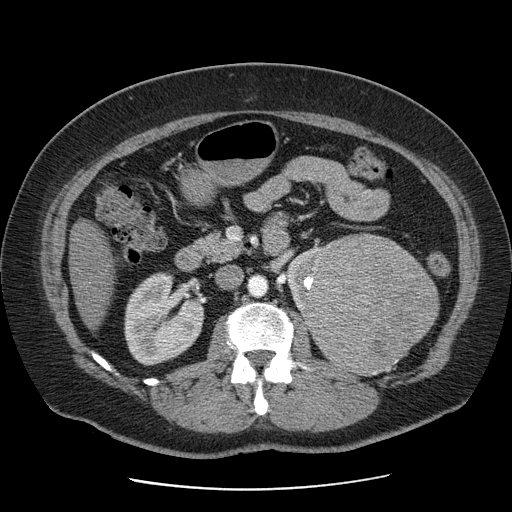
One axial slice (45 of 103, counting up from the lowest) of a contrast-enhanced abdominal CT acquired with 120 kVp, kernel STANDARD; each pixel is 0.736 mm and the slice is 2.50 mm thick.
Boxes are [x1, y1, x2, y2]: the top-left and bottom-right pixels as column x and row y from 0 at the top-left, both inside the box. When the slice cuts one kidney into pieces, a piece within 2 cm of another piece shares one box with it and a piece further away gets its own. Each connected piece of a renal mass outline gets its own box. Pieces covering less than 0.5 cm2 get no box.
Three boxes on this slice (two kidney boxes and one renal mass box), listed by box centre from the image's left to its right. (1) Right kidney, box [124, 272, 204, 365] (outlined area 5,541 px, about 30.0 cm2). (2) Left kidney, box [286, 245, 324, 314] (outlined area 1,272 px, about 6.9 cm2). (3) Left renal mass, box [301, 232, 439, 376] (outlined area 14,525 px, about 78.8 cm2).